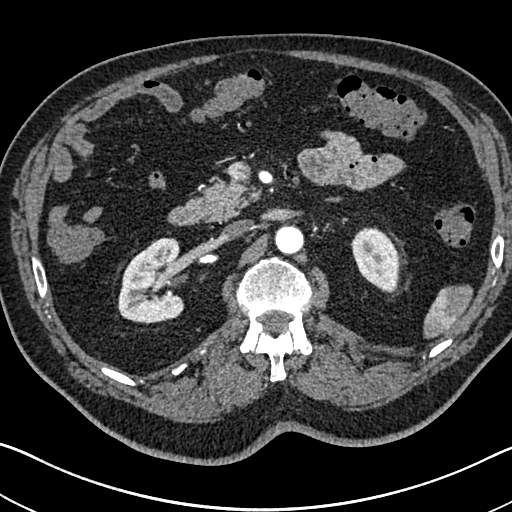
Arterial-phase contrast-enhanced abdominal CT, axial slice 451 of 705 (counted from the lowest slice); tube voltage 120 kVp, convolution kernel I30f; slices 1.00 mm thick, 0.703 mm per pixel.
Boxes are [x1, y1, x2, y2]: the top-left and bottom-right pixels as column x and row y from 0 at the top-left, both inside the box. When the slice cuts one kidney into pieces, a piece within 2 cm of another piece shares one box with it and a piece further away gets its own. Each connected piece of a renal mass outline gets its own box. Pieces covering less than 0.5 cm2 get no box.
Boxed on this slice (two kidney boxes), listed by box centre from the image's left to its right: (1) Right kidney at [118, 237, 183, 323] (outlined area 4,333 px, about 21.4 cm2). (2) Box [350, 227, 400, 293]: left kidney (outlined area 2,358 px, about 11.7 cm2). No renal mass is outlined on this slice.